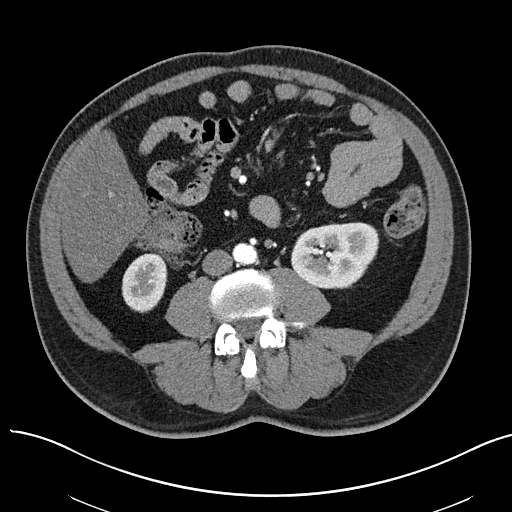
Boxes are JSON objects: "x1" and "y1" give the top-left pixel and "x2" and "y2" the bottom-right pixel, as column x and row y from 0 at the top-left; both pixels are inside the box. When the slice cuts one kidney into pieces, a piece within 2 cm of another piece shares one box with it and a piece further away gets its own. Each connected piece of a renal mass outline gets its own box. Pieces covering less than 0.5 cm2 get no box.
Arterial-phase contrast-enhanced abdominal CT, axial slice 17 of 97 (counted from the lowest slice); 3.00 mm thick, 0.797 mm per pixel. Two boxes on this slice (two kidney boxes), listed by box centre from the image's left to its right. (1) Right kidney, box {"x1": 121, "y1": 252, "x2": 167, "y2": 312} (outlined area 2,132 px, about 13.5 cm2). (2) Box {"x1": 291, "y1": 222, "x2": 379, "y2": 288}: left kidney (outlined area 4,640 px, about 29.5 cm2). No renal mass outline on this slice.
Scan settings: 100 kVp, I40f reconstruction kernel.